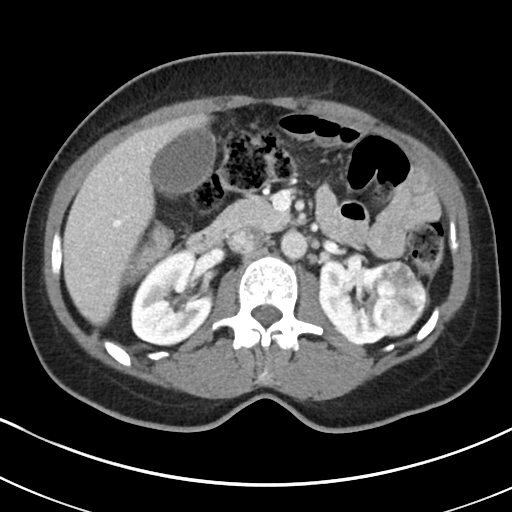
Abdominal CT with intravenous contrast, axial plane, 100 kVp, kernel I30f. Slice 119/178 from the bottom of the scan; thickness 5.00 mm; pixel size 0.650 mm.
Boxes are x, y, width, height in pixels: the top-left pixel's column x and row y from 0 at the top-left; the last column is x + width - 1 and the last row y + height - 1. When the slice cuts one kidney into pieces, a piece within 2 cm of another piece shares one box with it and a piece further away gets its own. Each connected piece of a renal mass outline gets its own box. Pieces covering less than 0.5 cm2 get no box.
Three boxes on this slice (two kidney boxes and one renal mass box), listed by box centre from the image's left to its right. (1) Right kidney at x 130, y 249, width 85, height 98 (outlined area 5,922 px, about 25.1 cm2). (2) Left kidney at x 319, y 259, width 71, height 86 (outlined area 4,313 px, about 18.2 cm2). (3) Box x 373, y 259, width 54, height 79: left renal mass (outlined area 3,180 px, about 13.5 cm2).